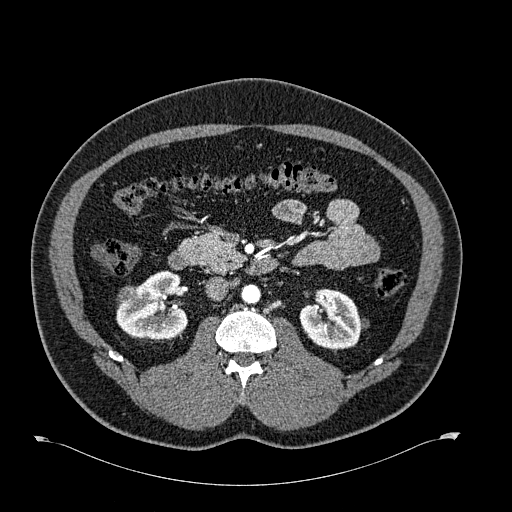
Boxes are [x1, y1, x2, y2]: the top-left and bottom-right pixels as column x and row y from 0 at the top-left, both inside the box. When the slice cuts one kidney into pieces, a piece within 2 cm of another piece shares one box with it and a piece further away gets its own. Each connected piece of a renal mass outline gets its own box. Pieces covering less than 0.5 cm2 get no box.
Slice 354/723 of a contrast-enhanced abdominal CT in the arterial phase, counting up from the lowest; pixel size 0.895 mm, slice thickness 1.00 mm. Three boxes on this slice (two kidney boxes and one renal mass box), listed by box centre from the image's left to its right. (1) Right renal mass at [117, 285, 138, 304] (outlined area 321 px, about 2.6 cm2). (2) Box [116, 270, 188, 340]: right kidney (outlined area 3,561 px, about 28.5 cm2). (3) Left kidney at [299, 288, 368, 348] (outlined area 2,941 px, about 23.5 cm2).
Tube voltage 120 kVp; convolution kernel B30f.